Axial slice 6 of 86 of a contrast-enhanced abdominal CT (slice 1 is the lowest), 140 kVp, kernel I44f; 3.00 mm slice thickness and 0.977 mm pixels.
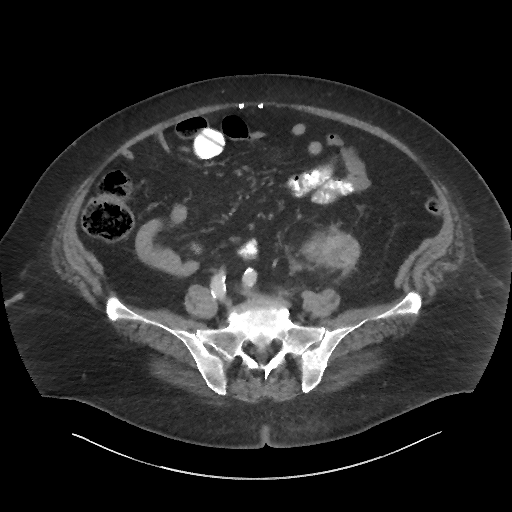
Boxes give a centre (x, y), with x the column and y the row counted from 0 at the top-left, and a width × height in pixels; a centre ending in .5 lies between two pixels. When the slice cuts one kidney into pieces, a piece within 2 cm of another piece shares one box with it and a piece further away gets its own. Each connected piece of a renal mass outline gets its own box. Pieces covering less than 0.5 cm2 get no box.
Left renal mass in a box with centre (334, 251.5), 53 × 44 pixels (outlined area 1,707 px, about 16.3 cm2); no kidney is outlined on this slice, but the same outlined renal mass comes within 1 cm of the kidney on another slice.